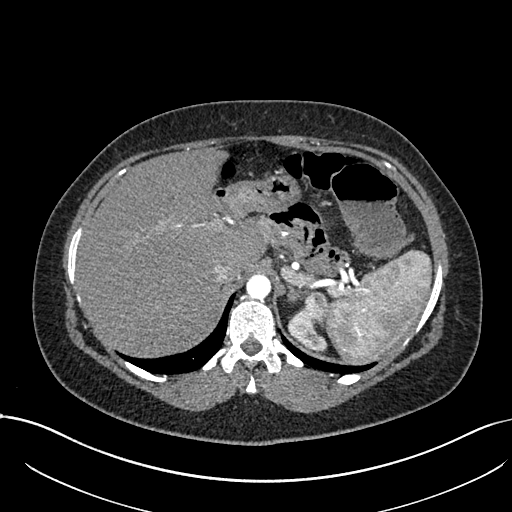
Axial slice 568 of 738 of a contrast-enhanced abdominal CT in the arterial phase (slice 1 is the lowest), 120 kVp, kernel I30f; 1.00 mm slice thickness and 0.789 mm pixels.
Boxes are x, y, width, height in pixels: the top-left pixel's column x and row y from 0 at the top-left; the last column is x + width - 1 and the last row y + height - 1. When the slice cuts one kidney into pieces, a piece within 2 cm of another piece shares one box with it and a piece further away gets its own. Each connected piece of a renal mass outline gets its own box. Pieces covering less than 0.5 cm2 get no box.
Two boxes on this slice (one kidney box and one renal mass box), listed by box centre from the image's left to its right. (1) Box x 287, y 312, width 41, height 40: left kidney (outlined area 761 px, about 4.7 cm2). (2) Box x 297, y 290, width 31, height 40: left renal mass (outlined area 815 px, about 5.1 cm2).